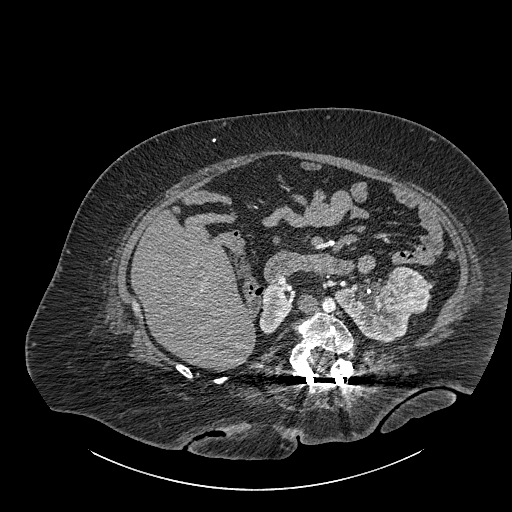
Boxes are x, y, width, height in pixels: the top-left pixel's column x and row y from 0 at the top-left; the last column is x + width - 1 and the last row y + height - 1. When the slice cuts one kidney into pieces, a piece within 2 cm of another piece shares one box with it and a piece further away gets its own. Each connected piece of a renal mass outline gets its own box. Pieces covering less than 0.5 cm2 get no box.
Contrast-enhanced abdominal CT, axial slice 533 of 834 (counted from the lowest slice); 1.00 mm thick, 0.977 mm per pixel. Three boxes on this slice (two kidney boxes and one renal mass box), listed by box centre from the image's left to its right. (1) Right part of the midline-crossing kidney, box x 259, y 285, width 33, height 49 (outlined area 1,081 px, about 10.3 cm2). (2) Left part of the midline-crossing kidney, box x 334, y 283, width 78, height 60 (outlined area 2,755 px, about 26.3 cm2). (3) Box x 387, y 266, width 43, height 48: renal mass (outlined area 1,570 px, about 15.0 cm2).
Tube voltage 140 kVp; convolution kernel I30f.